Axial slice 43 of 70 of a contrast-enhanced abdominal CT in the arterial phase (slice 1 is the lowest), 120 kVp, kernel B30f; 5.00 mm slice thickness and 0.977 mm pixels.
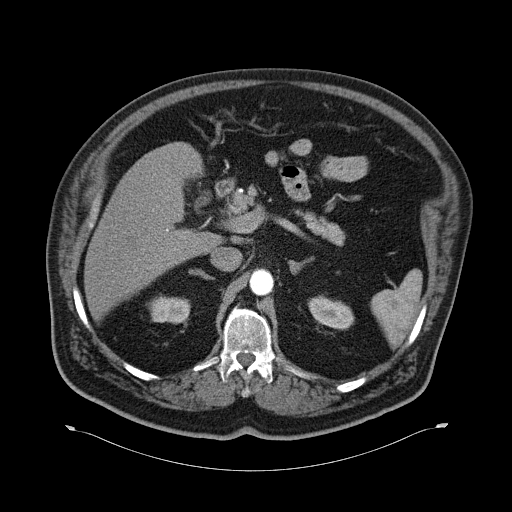
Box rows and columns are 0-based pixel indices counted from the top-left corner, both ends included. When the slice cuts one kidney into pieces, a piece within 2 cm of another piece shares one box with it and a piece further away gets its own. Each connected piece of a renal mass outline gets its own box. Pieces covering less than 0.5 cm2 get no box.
Two boxes on this slice (two kidney boxes), listed by box centre from the image's left to its right. (1) Box rows 295–323, columns 147–190: right kidney (outlined area 994 px, about 9.5 cm2). (2) Box rows 295–329, columns 308–354: left kidney (outlined area 1,125 px, about 10.7 cm2). This slice carries no renal mass outline.